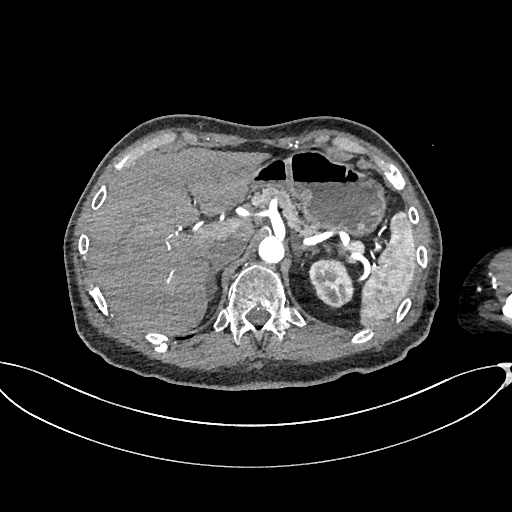
One axial slice (501 of 665, counting up from the lowest) of an arterial-phase abdominal CT acquired with 100 kVp, kernel I26f; each pixel is 0.828 mm and the slice is 1.00 mm thick.
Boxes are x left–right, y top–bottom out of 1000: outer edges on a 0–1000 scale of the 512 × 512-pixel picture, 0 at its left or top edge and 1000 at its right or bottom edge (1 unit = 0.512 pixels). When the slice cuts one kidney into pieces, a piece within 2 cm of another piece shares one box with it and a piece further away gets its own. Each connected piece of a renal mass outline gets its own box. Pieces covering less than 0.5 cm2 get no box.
Box x 602–693, y 504–604 out of 1000: left kidney (outlined area 1,723 px, about 11.8 cm2). No renal mass outline on this slice.